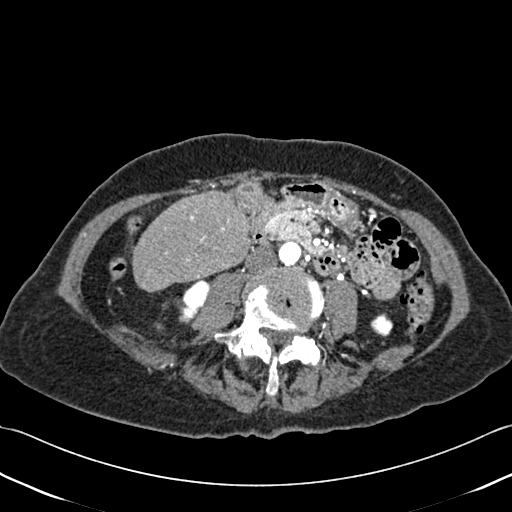
Contrast-enhanced abdominal CT, axial slice 164 of 433 (counted from the lowest slice); tube voltage 120 kVp, convolution kernel B30f; slices 1.00 mm thick, 0.672 mm per pixel.
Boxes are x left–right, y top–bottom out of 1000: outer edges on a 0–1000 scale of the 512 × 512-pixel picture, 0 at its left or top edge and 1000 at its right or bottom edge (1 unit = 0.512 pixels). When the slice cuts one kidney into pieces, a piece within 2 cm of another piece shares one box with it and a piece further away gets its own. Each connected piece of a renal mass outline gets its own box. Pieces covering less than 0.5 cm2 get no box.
Two boxes on this slice (two kidney boxes), listed by box centre from the image's left to its right. (1) Box x 350–410, y 547–623 out of 1000: right kidney (outlined area 780 px, about 3.5 cm2). (2) Left kidney, box x 723–768, y 611–658 out of 1000 (outlined area 393 px, about 1.8 cm2).